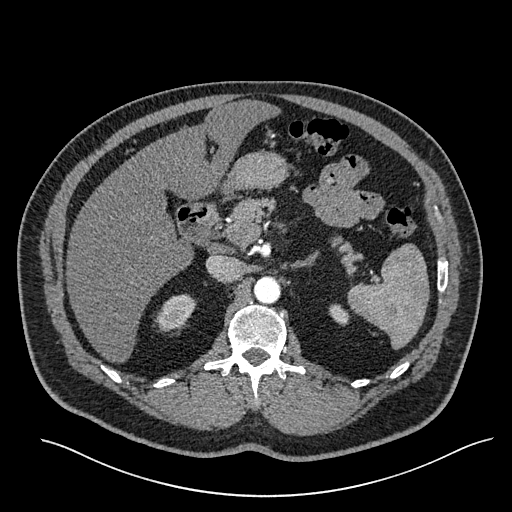
One axial slice (399 of 527, counting up from the lowest) of an arterial-phase abdominal CT acquired with 120 kVp, kernel I30f; each pixel is 0.859 mm and the slice is 1.00 mm thick.
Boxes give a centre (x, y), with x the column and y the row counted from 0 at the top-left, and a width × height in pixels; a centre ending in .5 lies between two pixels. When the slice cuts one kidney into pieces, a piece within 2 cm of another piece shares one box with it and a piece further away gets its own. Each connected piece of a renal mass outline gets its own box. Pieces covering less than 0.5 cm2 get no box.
Two kidney boxes on this slice; by box centre, from the image's left to its right: (1) Right kidney in a box with centre (175.5, 312.5), 42 × 38 pixels (outlined area 1,067 px, about 7.9 cm2). (2) Left kidney in a box with centre (339, 314.5), 21 × 22 pixels (outlined area 322 px, about 2.4 cm2). No renal mass outline on this slice.